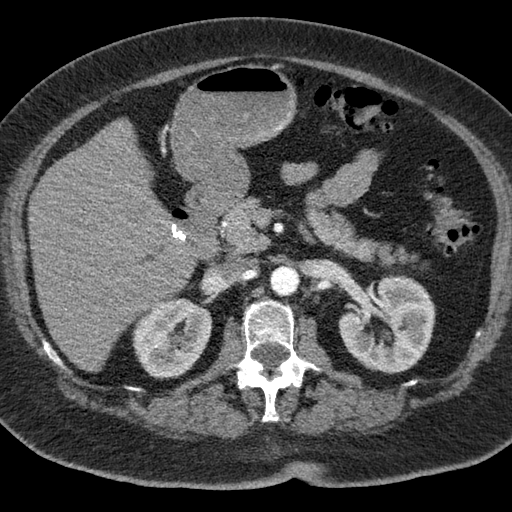
Axial slice 41 of 76 of a contrast-enhanced abdominal CT (slice 1 is the lowest), 120 kVp, kernel B; 3.00 mm slice thickness and 0.684 mm pixels.
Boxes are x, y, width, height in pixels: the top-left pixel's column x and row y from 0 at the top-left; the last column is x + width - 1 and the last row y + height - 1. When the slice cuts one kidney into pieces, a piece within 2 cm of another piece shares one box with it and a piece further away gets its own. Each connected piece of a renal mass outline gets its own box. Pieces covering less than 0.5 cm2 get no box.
Two kidney boxes on this slice; by box centre, from the image's left to its right: (1) Box x 132, y 297, width 81, height 83: right kidney (outlined area 4,999 px, about 23.4 cm2). (2) Left kidney at x 338, y 274, width 98, height 100 (outlined area 6,880 px, about 32.2 cm2). This slice carries no renal mass outline.